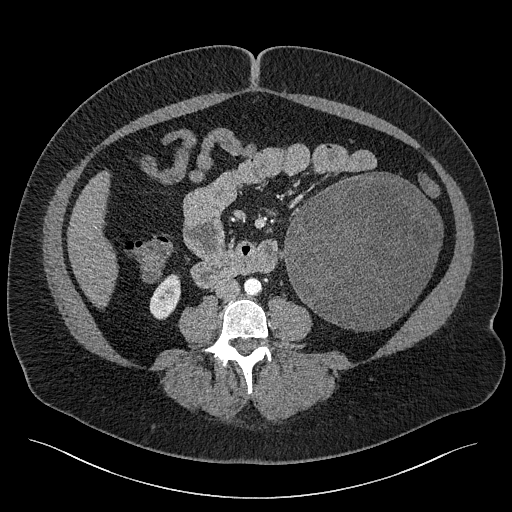
Abdominal CT with intravenous contrast, axial plane, 120 kVp, kernel I40f. Slice 87/301 from the bottom of the scan; thickness 2.00 mm; pixel size 0.859 mm.
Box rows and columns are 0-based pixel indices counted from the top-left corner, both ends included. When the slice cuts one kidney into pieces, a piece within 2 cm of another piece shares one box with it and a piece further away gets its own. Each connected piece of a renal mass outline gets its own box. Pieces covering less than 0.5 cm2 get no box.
Two boxes on this slice (one kidney box and one renal mass box), listed by box centre from the image's left to its right. (1) Right kidney, box rows 273–319, columns 149–181 (outlined area 1,036 px, about 7.7 cm2). (2) Left renal mass, box rows 172–331, columns 283–443 (outlined area 19,145 px, about 141.4 cm2); it sits over 1 cm from every kidney outline on this slice, but the same outlined renal mass comes within 1 cm of the kidney on another slice.